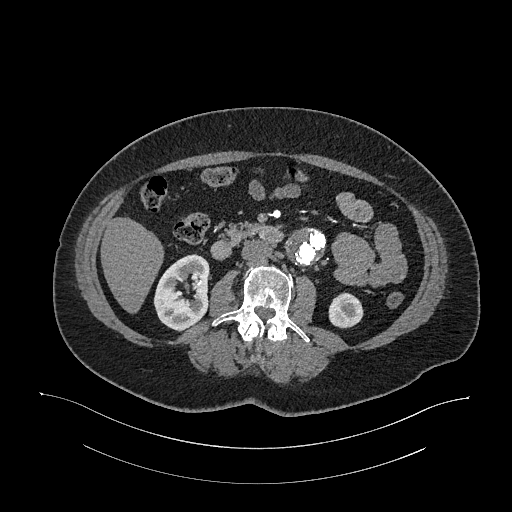
One axial slice (596 of 987, counting up from the lowest) of an arterial-phase abdominal CT acquired with 120 kVp, kernel I26f; each pixel is 0.977 mm and the slice is 1.00 mm thick.
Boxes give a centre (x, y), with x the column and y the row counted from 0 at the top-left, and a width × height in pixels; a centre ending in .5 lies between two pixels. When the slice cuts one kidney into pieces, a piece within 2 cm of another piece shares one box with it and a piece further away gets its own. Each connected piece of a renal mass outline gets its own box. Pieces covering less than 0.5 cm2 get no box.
Two kidney boxes on this slice; by box centre, from the image's left to its right: (1) Right kidney in a box with centre (181.5, 292.5), 58 × 78 pixels (outlined area 3,235 px, about 30.9 cm2). (2) Box centre (345.5, 310), 36 × 37 pixels: left kidney (outlined area 1,002 px, about 9.6 cm2). This slice carries no renal mass outline.